Arterial-phase contrast-enhanced abdominal CT, axial slice 401 of 532 (counted from the lowest slice); tube voltage 120 kVp, convolution kernel B30f; slices 1.00 mm thick, 0.713 mm per pixel.
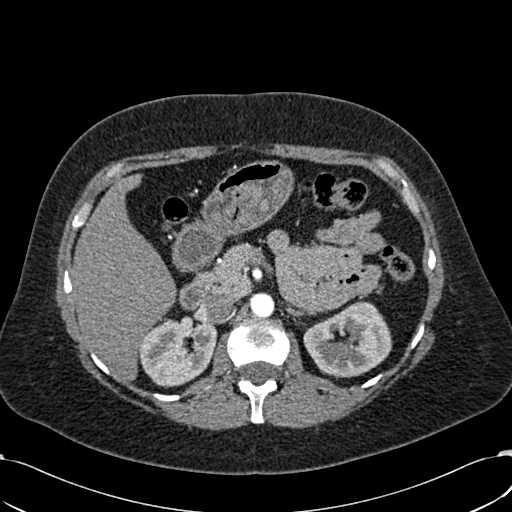
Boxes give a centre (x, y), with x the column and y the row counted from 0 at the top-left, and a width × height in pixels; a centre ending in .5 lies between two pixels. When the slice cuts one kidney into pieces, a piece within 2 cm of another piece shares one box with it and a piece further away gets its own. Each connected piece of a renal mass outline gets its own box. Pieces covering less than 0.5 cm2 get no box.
Two boxes on this slice (two kidney boxes), listed by box centre from the image's left to its right. (1) Right kidney in a box with centre (177.5, 352), 80 × 71 pixels (outlined area 4,158 px, about 21.1 cm2). (2) Box centre (347.5, 339.5), 90 × 78 pixels: left kidney (outlined area 4,759 px, about 24.2 cm2). This slice carries no renal mass outline.